Axial slice 135 of 285 of a contrast-enhanced abdominal CT in the arterial phase (slice 1 is the lowest), 120 kVp, kernel B31f; 2.00 mm slice thickness and 0.762 mm pixels.
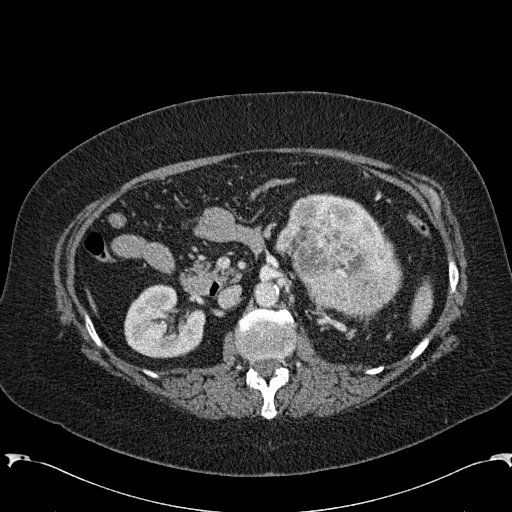
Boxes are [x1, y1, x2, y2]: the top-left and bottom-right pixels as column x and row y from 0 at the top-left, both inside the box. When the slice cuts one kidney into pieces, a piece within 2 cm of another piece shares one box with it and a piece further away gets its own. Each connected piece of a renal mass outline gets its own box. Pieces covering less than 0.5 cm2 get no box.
Three boxes on this slice (two kidney boxes and one renal mass box), listed by box centre from the image's left to its right. (1) Right kidney, box [124, 284, 205, 358] (outlined area 4,385 px, about 25.4 cm2). (2) Left kidney, box [274, 193, 383, 256] (outlined area 2,962 px, about 17.2 cm2). (3) Left renal mass at [290, 222, 402, 320] (outlined area 8,118 px, about 47.1 cm2).